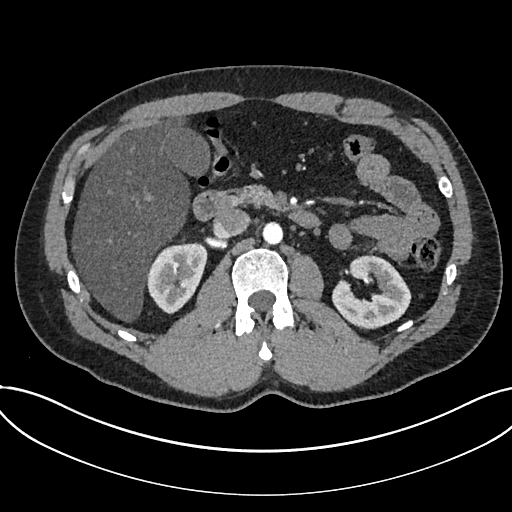
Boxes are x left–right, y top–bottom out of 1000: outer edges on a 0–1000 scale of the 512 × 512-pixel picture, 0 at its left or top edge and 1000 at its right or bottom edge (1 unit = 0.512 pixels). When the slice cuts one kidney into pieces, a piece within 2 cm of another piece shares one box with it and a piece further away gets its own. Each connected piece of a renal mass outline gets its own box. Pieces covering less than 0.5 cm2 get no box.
Arterial-phase contrast-enhanced abdominal CT, axial slice 432 of 735 (counted from the lowest slice); 1.00 mm thick, 0.789 mm per pixel. Boxed on this slice (two kidney boxes), listed by box centre from the image's left to its right: (1) Kidney, box x 285–406, y 473–615 out of 1000 (outlined area 3,142 px, about 19.6 cm2). (2) Box x 648–805, y 494–643 out of 1000: kidney (outlined area 3,907 px, about 24.3 cm2). No renal mass is outlined on this slice.
Acquired at 120 kVp and reconstructed with the I30f kernel.